One axial slice (450 of 612, counting up from the lowest) of an arterial-phase abdominal CT acquired with 120 kVp, kernel I30f; each pixel is 0.703 mm and the slice is 1.00 mm thick.
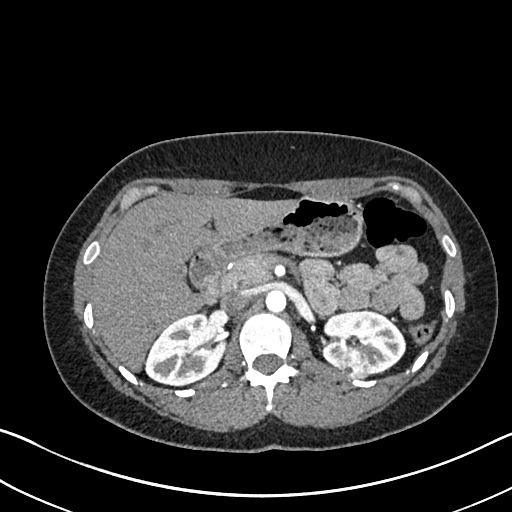
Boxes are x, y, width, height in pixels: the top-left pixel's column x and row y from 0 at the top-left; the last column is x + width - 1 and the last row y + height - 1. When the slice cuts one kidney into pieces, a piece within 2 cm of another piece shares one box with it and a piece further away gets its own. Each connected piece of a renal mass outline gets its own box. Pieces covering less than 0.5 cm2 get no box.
Two kidney boxes and one renal mass box on this slice; by box centre, from the image's left to its right: (1) Right kidney, box x 144, y 313, width 77, height 74 (outlined area 3,960 px, about 19.6 cm2). (2) Left renal mass, box x 341, y 348, width 30, height 31 (outlined area 724 px, about 3.6 cm2). (3) Box x 321, y 309, width 86, height 67: left kidney (outlined area 3,775 px, about 18.7 cm2).